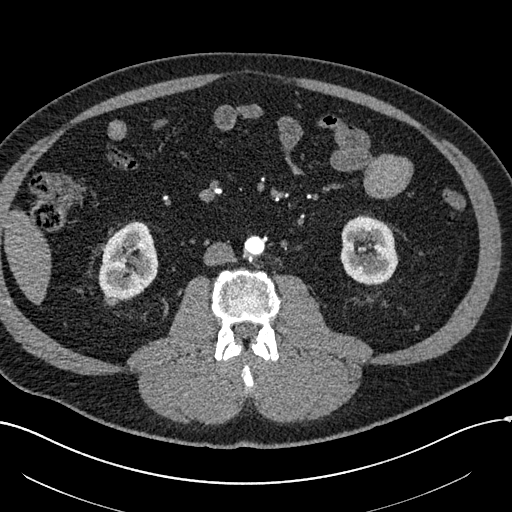
Abdominal CT with intravenous contrast, arterial phase, axial plane, 120 kVp, kernel I30f. Slice 250/602 from the bottom of the scan; thickness 1.00 mm; pixel size 0.799 mm.
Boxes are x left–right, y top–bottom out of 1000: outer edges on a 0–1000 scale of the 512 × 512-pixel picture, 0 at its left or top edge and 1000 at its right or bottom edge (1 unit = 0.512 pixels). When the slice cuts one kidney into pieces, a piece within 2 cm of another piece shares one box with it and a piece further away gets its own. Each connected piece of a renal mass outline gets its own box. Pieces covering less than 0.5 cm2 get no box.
Two kidney boxes and one renal mass box on this slice; by box centre, from the image's left to its right: (1) Right renal mass, box x 203–232, y 574–600 out of 1000 (outlined area 138 px, about 0.9 cm2). (2) Box x 191–309, y 432–590 out of 1000: right kidney (outlined area 3,516 px, about 22.4 cm2). (3) Left kidney, box x 664–779, y 420–559 out of 1000 (outlined area 3,269 px, about 20.9 cm2).